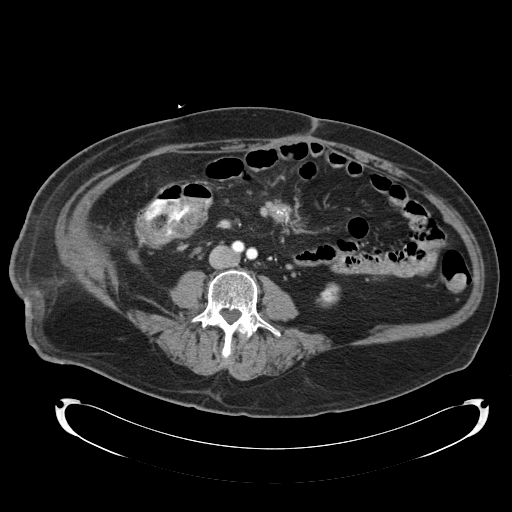
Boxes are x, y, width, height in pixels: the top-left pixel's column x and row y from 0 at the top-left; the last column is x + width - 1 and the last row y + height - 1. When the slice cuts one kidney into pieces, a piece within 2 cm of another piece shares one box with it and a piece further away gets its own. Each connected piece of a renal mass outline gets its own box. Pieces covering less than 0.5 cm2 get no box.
This is axial slice 47 of 92 (slice 1 is the lowest) of an abdominal CT with contrast; each pixel is 0.918 mm and the slice is 5.00 mm thick. Box x 316, y 282, width 25, height 26: left kidney (outlined area 403 px, about 3.4 cm2). This slice carries no renal mass outline.
Scan settings: 120 kVp, B30f reconstruction kernel.